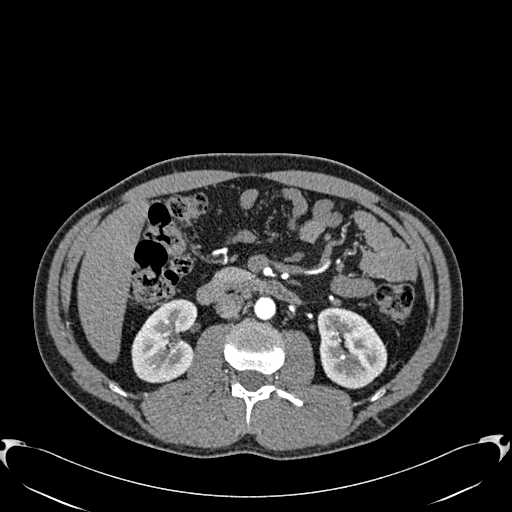
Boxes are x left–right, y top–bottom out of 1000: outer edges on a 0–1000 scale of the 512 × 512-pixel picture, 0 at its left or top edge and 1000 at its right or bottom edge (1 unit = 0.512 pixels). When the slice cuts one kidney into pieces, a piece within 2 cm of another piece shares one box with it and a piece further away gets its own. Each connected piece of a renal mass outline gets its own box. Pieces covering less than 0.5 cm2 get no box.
This is axial slice 334 of 512 (slice 1 is the lowest) of an arterial-phase abdominal CT with contrast; each pixel is 0.771 mm and the slice is 1.00 mm thick. Boxed on this slice (two kidney boxes), listed by box centre from the image's left to its right: (1) Right kidney at x 256–387, y 582–750 out of 1000 (outlined area 4,122 px, about 24.5 cm2). (2) Box x 619–758, y 598–762 out of 1000: left kidney (outlined area 4,361 px, about 26.0 cm2). This slice carries no renal mass outline.
Tube voltage 120 kVp; convolution kernel B30f.